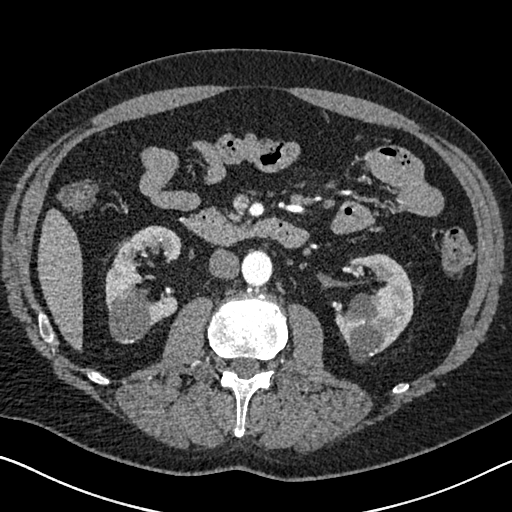
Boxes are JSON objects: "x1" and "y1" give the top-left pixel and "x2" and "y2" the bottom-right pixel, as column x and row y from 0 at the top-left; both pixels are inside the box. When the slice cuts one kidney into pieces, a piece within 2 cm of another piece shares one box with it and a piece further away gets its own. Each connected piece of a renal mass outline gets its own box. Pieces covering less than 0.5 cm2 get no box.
Slice 359/626 of a contrast-enhanced abdominal CT in the arterial phase, counting up from the lowest; pixel size 0.703 mm, slice thickness 1.00 mm. Two boxes on this slice (two kidney boxes), listed by box centre from the image's left to its right. (1) Box {"x1": 105, "y1": 225, "x2": 181, "y2": 343}: right kidney (outlined area 5,544 px, about 27.4 cm2). (2) Left kidney, box {"x1": 335, "y1": 253, "x2": 413, "y2": 362} (outlined area 5,558 px, about 27.5 cm2). No renal mass is outlined on this slice.
Tube voltage 120 kVp; convolution kernel I30f.